Arterial-phase contrast-enhanced abdominal CT, axial slice 53 of 96 (counted from the lowest slice); tube voltage 120 kVp, convolution kernel STANDARD; slices 2.50 mm thick, 0.689 mm per pixel.
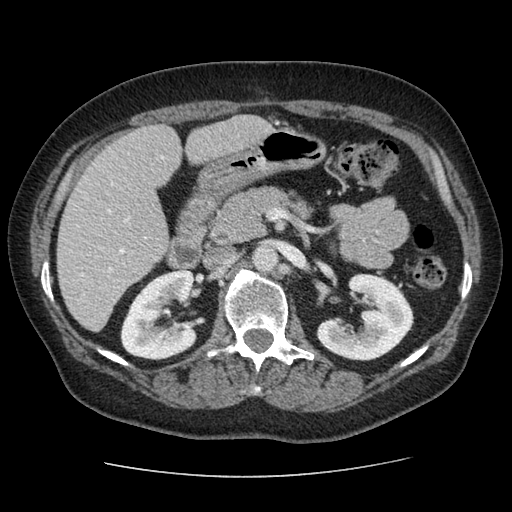
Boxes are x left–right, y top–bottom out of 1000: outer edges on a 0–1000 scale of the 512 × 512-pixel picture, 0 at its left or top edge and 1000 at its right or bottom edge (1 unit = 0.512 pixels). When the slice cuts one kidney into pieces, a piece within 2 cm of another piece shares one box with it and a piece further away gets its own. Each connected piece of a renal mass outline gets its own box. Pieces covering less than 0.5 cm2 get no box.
Two boxes on this slice (two kidney boxes), listed by box centre from the image's left to its right. (1) Right kidney at x 234–387, y 525–705 out of 1000 (outlined area 5,204 px, about 24.7 cm2). (2) Left kidney at x 617–811, y 533–705 out of 1000 (outlined area 5,373 px, about 25.5 cm2). No renal mass is outlined on this slice.